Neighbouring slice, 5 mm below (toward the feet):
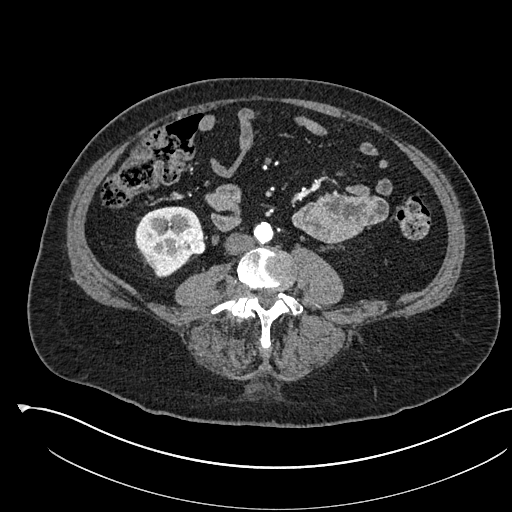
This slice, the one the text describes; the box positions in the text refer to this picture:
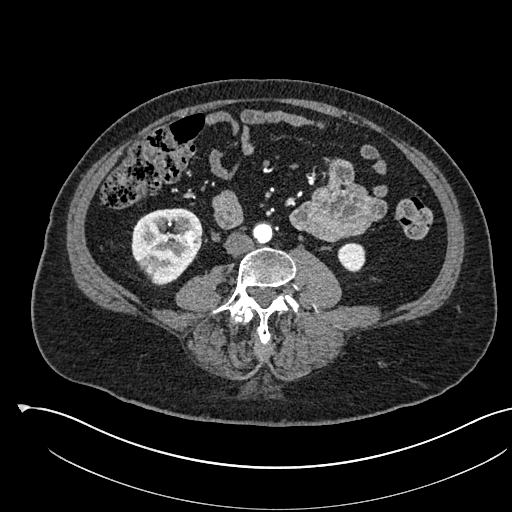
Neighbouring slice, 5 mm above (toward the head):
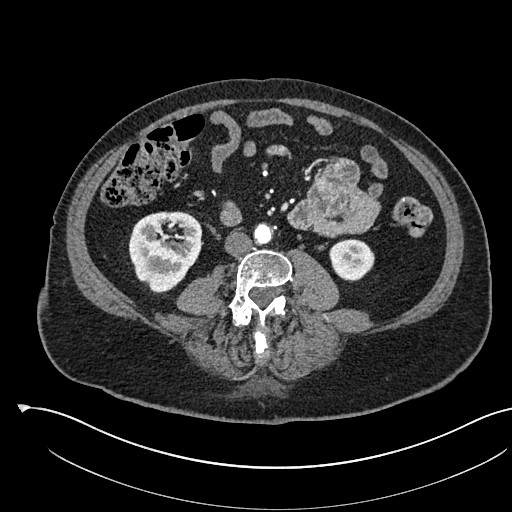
Abdominal CT with intravenous contrast, arterial phase, axial plane, 120 kVp, kernel I30f. Slice 223/541 from the bottom of the scan; thickness 1.00 mm; pixel size 0.834 mm.
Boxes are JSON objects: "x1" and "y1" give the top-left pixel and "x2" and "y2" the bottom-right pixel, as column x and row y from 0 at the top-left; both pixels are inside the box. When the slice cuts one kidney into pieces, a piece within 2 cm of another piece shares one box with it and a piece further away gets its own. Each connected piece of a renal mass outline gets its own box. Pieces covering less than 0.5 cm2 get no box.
Two kidney boxes and one renal mass box on this slice; by box centre, from the image's left to its right: (1) Right kidney, box {"x1": 131, "y1": 208, "x2": 201, "y2": 285} (outlined area 4,055 px, about 28.2 cm2). (2) Right renal mass, box {"x1": 182, "y1": 231, "x2": 196, "y2": 243} (outlined area 150 px, about 1.0 cm2). (3) Left kidney at {"x1": 337, "y1": 242, "x2": 365, "y2": 272} (outlined area 677 px, about 4.7 cm2). This slice is near the end of the right renal mass toward the head, so the slices 5 mm below and 5 mm above it are shown as well; the boxes refer to this slice only.